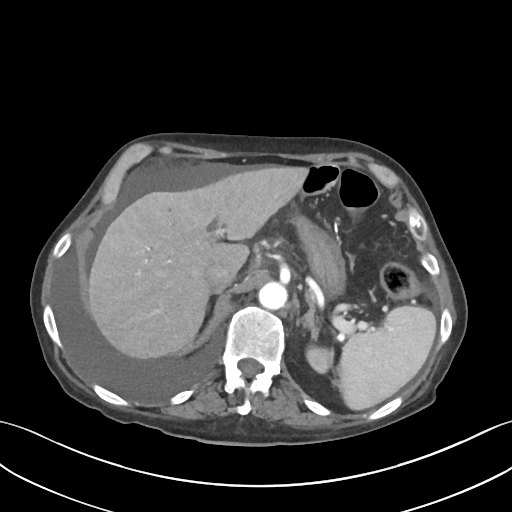
Contrast-enhanced abdominal CT, axial slice 68 of 109 (counted from the lowest slice); tube voltage 120 kVp, convolution kernel I30f; slices 3.00 mm thick, 0.742 mm per pixel.
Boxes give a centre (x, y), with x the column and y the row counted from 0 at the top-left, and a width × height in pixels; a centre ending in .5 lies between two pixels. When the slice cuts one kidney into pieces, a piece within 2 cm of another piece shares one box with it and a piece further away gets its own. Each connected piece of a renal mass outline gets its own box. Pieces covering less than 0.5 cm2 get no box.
Box centre (319, 356.5), 31 × 36 pixels: left kidney (outlined area 808 px, about 4.5 cm2). No renal mass is outlined on this slice.